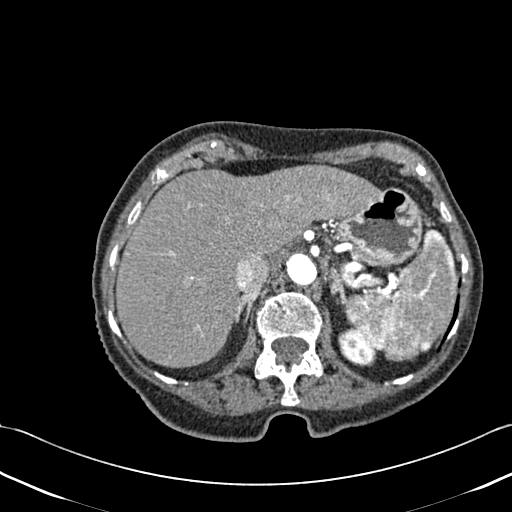
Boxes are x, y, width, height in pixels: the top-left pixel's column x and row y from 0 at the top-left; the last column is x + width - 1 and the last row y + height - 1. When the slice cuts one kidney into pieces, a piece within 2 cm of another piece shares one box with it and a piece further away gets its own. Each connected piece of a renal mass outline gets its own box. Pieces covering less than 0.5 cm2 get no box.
Slice 338/433 of a contrast-enhanced abdominal CT, counting up from the lowest; pixel size 0.672 mm, slice thickness 1.00 mm. Left kidney, box x 338, y 327, width 40, height 40 (outlined area 1,053 px, about 4.8 cm2). No renal mass outline on this slice.
Scan settings: 120 kVp, B30f reconstruction kernel.